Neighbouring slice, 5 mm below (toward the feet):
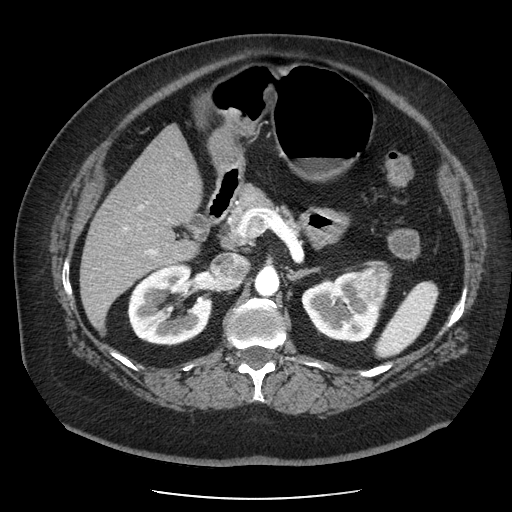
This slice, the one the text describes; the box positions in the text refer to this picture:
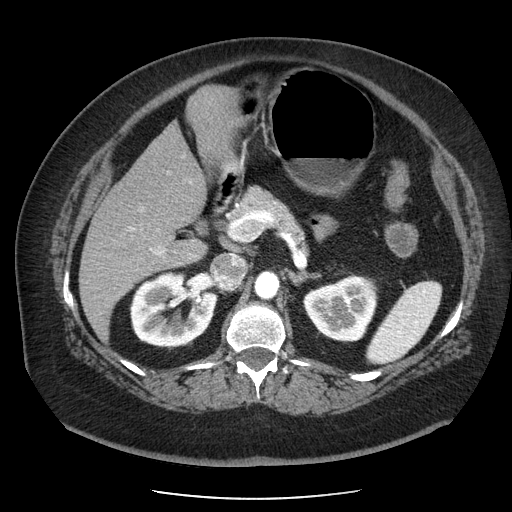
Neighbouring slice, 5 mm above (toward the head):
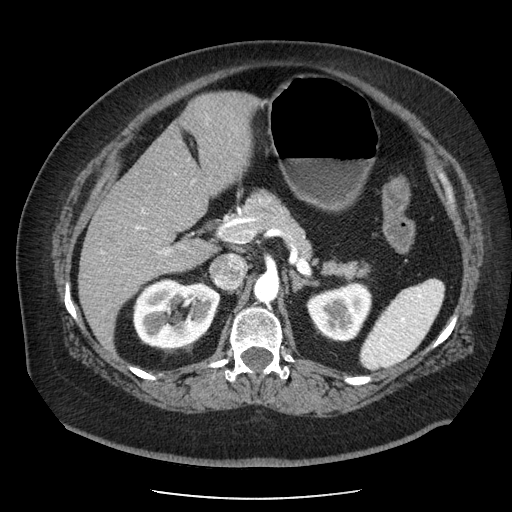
One axial slice (135 of 186, counting up from the lowest) of an arterial-phase abdominal CT acquired with 120 kVp, kernel STANDARD; each pixel is 0.742 mm and the slice is 2.50 mm thick.
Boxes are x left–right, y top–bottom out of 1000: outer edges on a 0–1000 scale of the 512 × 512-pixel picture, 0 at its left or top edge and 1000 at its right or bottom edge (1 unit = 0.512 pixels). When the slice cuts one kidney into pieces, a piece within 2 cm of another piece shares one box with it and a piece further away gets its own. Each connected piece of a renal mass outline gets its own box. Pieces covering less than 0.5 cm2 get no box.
Three boxes on this slice (two kidney boxes and one renal mass box), listed by box centre from the image's left to its right. (1) Right kidney, box x 252–428, y 527–684 out of 1000 (outlined area 5,149 px, about 28.4 cm2). (2) Left kidney at x 592–734, y 535–668 out of 1000 (outlined area 3,390 px, about 18.7 cm2). (3) Box x 707–736, y 539–586 out of 1000: left renal mass (outlined area 293 px, about 1.6 cm2). This slice lies near the end of the left renal mass toward the head; the slices 5 mm below and 5 mm above it are shown too, and the boxes mark positions on this slice only.